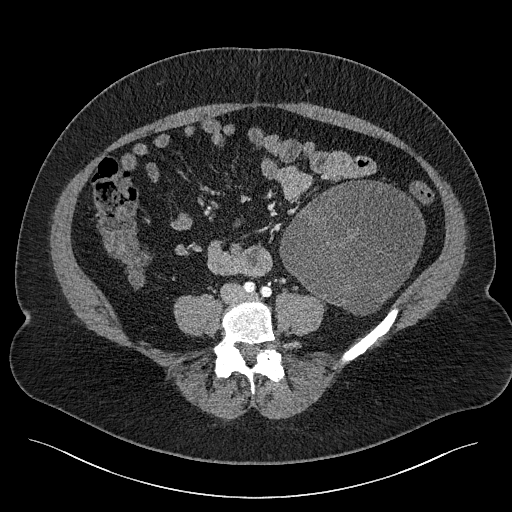
One axial slice (60 of 301, counting up from the lowest) of a contrast-enhanced abdominal CT acquired with 120 kVp, kernel I40f; each pixel is 0.859 mm and the slice is 2.00 mm thick.
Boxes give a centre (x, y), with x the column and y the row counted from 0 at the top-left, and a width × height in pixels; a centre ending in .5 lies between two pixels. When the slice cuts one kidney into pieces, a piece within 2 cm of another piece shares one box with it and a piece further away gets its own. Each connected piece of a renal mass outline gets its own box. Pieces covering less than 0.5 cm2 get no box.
Left renal mass, box centre (352, 247.5), 147 × 136 pixels (outlined area 14,117 px, about 104.3 cm2); this slice has no kidney outline, though on another slice the same outlined renal mass lies within 1 cm of the kidney.